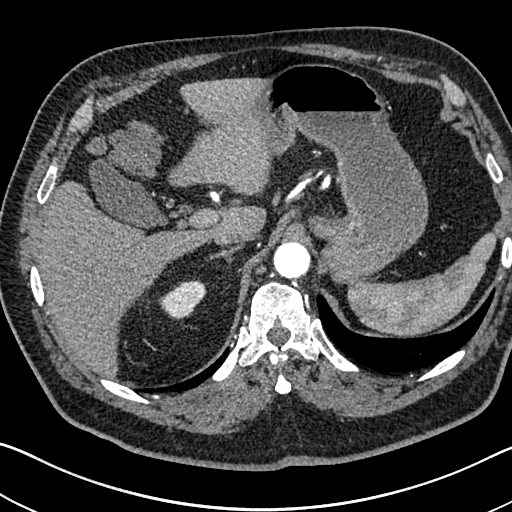
Arterial-phase contrast-enhanced abdominal CT, axial slice 554 of 705 (counted from the lowest slice); tube voltage 120 kVp, convolution kernel I30f; slices 1.00 mm thick, 0.703 mm per pixel.
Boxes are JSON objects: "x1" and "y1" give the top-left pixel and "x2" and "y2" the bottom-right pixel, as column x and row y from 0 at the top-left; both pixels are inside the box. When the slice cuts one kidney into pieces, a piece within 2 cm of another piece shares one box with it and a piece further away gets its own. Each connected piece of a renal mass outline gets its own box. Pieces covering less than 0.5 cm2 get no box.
Box {"x1": 158, "y1": 280, "x2": 206, "y2": 319}: right kidney (outlined area 1,252 px, about 6.2 cm2). This slice carries no renal mass outline.